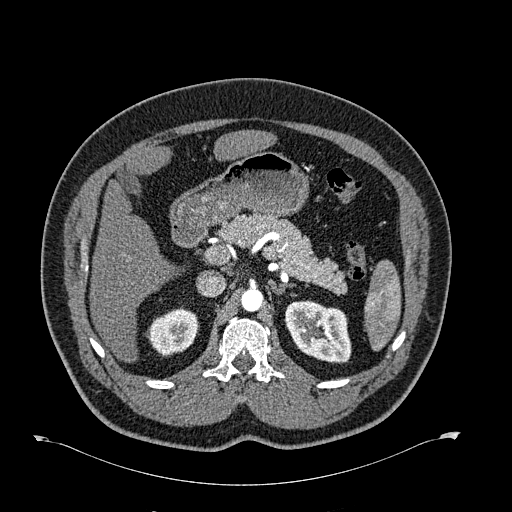
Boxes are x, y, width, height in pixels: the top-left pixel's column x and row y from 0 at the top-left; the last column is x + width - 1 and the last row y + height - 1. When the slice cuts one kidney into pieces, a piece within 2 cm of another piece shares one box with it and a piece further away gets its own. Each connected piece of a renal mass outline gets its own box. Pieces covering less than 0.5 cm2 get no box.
Arterial-phase contrast-enhanced abdominal CT, axial slice 439 of 723 (counted from the lowest slice); 1.00 mm thick, 0.895 mm per pixel. Boxed on this slice (two kidney boxes), listed by box centre from the image's left to its right: (1) Right kidney at x 145, y 306, width 53, height 51 (outlined area 1,855 px, about 14.8 cm2). (2) Left kidney at x 285, y 300, width 67, height 64 (outlined area 3,217 px, about 25.7 cm2). No renal mass is outlined on this slice.
Acquired at 120 kVp and reconstructed with the B30f kernel.